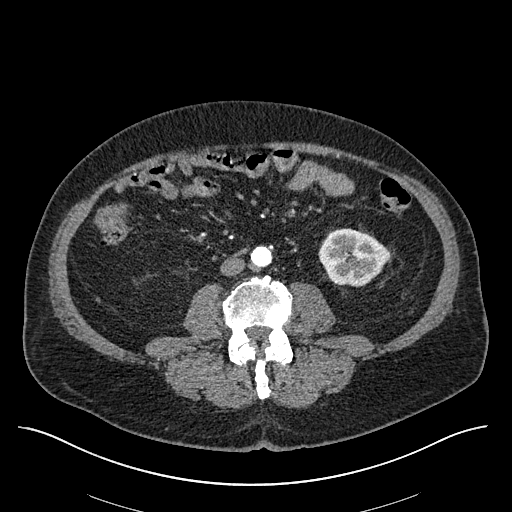
Abdominal CT with intravenous contrast, arterial phase, axial plane, 120 kVp, kernel I30f. Slice 237/670 from the bottom of the scan; thickness 1.00 mm; pixel size 0.861 mm.
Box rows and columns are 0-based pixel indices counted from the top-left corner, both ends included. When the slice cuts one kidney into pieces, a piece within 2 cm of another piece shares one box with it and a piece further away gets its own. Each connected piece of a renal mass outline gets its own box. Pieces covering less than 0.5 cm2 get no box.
Left kidney at rows 228–286, columns 318–389 (outlined area 3,133 px, about 23.2 cm2). No renal mass outline on this slice.